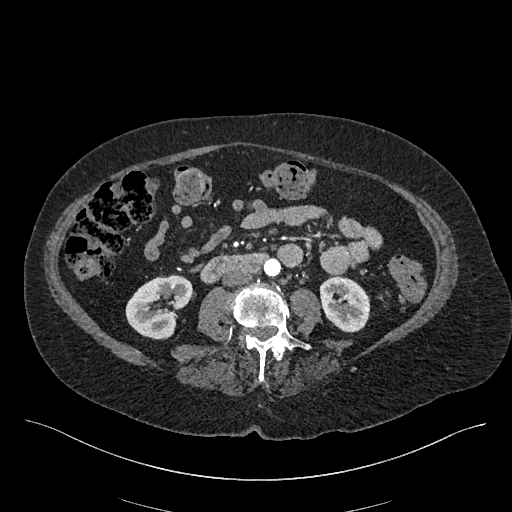
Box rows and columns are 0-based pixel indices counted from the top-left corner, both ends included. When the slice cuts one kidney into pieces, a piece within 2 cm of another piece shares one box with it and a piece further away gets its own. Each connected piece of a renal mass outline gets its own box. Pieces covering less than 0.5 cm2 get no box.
Arterial-phase contrast-enhanced abdominal CT, axial slice 191 of 548 (counted from the lowest slice); 1.00 mm thick, 0.852 mm per pixel. Boxed on this slice (two kidney boxes), listed by box centre from the image's left to its right: (1) Box rows 274–339, columns 125–192: right kidney (outlined area 3,038 px, about 22.0 cm2). (2) Left kidney, box rows 276–332, columns 319–370 (outlined area 2,219 px, about 16.1 cm2). This slice carries no renal mass outline.
Tube voltage 120 kVp; convolution kernel I26f.